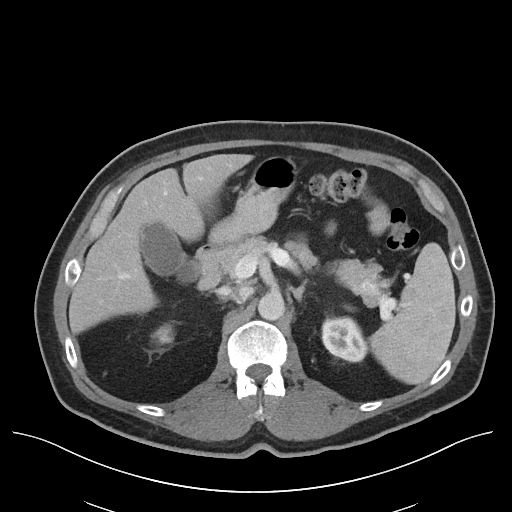
One axial slice (74 of 96, counting up from the lowest) of an arterial-phase abdominal CT acquired with 120 kVp, kernel I40f; each pixel is 0.840 mm and the slice is 5.00 mm thick.
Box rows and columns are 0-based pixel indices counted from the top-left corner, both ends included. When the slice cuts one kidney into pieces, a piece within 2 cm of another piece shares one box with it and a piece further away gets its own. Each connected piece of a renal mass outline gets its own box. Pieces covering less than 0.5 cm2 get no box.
Boxed on this slice (two kidney boxes), listed by box centre from the image's left to its right: (1) Right kidney at rows 325–343, columns 153–172 (outlined area 276 px, about 1.9 cm2). (2) Left kidney at rows 317–362, columns 321–368 (outlined area 1,649 px, about 11.6 cm2). No renal mass outline on this slice.